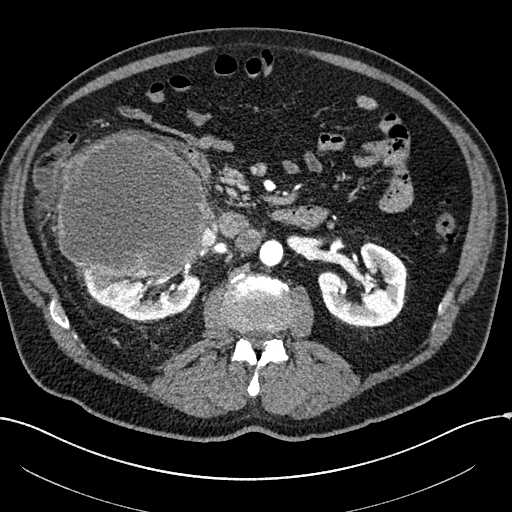
Axial slice 115 of 304 of a contrast-enhanced abdominal CT in the arterial phase (slice 1 is the lowest), 100 kVp, kernel I30f; 2.00 mm slice thickness and 0.809 mm pixels.
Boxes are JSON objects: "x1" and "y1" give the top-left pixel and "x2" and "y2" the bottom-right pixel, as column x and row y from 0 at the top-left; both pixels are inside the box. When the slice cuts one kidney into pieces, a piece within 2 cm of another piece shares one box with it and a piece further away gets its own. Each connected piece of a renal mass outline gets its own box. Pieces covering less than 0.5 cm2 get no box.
Three boxes on this slice (two kidney boxes and one renal mass box), listed by box centre from the image's left to its right. (1) Right renal mass, box {"x1": 56, "y1": 129, "x2": 206, "y2": 277} (outlined area 18,026 px, about 117.9 cm2). (2) Box {"x1": 76, "y1": 258, "x2": 200, "y2": 320}: right kidney (outlined area 4,283 px, about 28.0 cm2). (3) Left kidney at {"x1": 318, "y1": 241, "x2": 407, "y2": 329} (outlined area 5,191 px, about 33.9 cm2).